One axial slice (360 of 787, counting up from the lowest) of a contrast-enhanced abdominal CT acquired with 140 kVp, kernel I30f; each pixel is 0.910 mm and the slice is 1.00 mm thick.
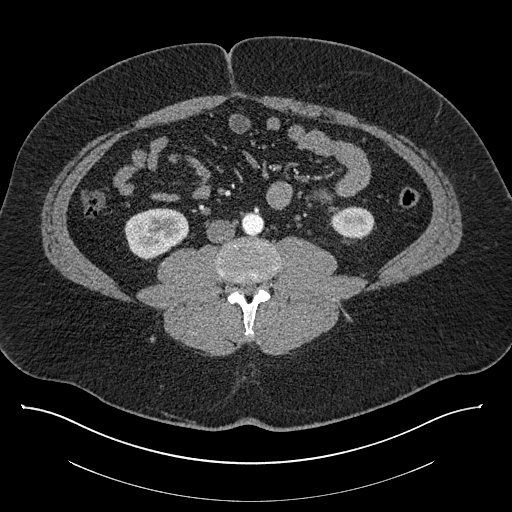
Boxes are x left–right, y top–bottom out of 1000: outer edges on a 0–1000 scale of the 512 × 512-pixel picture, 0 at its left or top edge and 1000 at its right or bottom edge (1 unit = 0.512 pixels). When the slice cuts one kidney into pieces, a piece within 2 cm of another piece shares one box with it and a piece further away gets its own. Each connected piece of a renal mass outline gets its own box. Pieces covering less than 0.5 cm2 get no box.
Two boxes on this slice (two kidney boxes), listed by box centre from the image's left to its right. (1) Box x 242–369, y 406–506 out of 1000: right kidney (outlined area 2,506 px, about 20.8 cm2). (2) Box x 643–732, y 402–467 out of 1000: left kidney (outlined area 1,151 px, about 9.5 cm2). No renal mass outline on this slice.